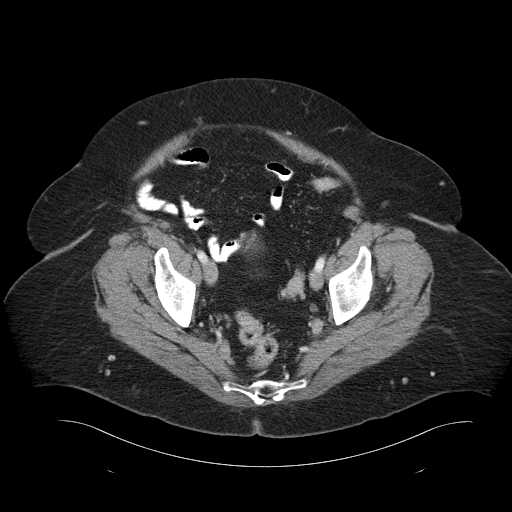
This is axial slice 24 of 93 (slice 1 is the lowest) of an abdominal CT with contrast; each pixel is 0.938 mm and the slice is 5.00 mm thick. This slice carries no outline: it lies beyond the outlined kidneys and beyond every outlined renal mass. Other organs are not outlined in this scan.
Tube voltage 120 kVp; convolution kernel B30f.